Contrast-enhanced abdominal CT, axial slice 50 of 84 (counted from the lowest slice); tube voltage 140 kVp, convolution kernel STANDARD; slices 5.00 mm thick, 0.717 mm per pixel.
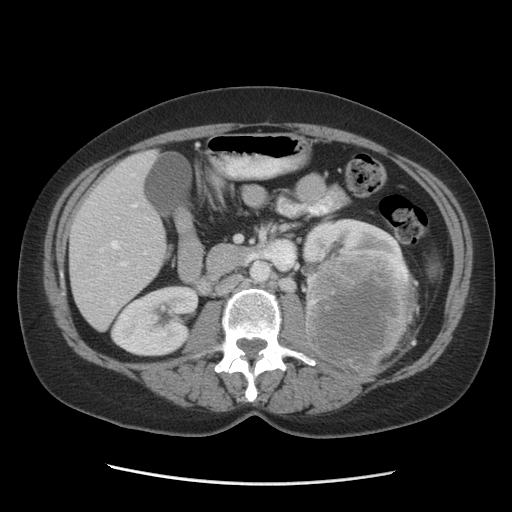
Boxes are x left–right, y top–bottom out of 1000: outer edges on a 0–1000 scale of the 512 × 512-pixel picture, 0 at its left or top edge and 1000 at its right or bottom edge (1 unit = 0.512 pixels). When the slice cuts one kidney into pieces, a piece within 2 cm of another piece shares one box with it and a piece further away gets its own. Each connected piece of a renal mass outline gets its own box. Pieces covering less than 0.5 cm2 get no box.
Two kidney boxes and one renal mass box on this slice; by box centre, from the image's left to its right: (1) Right kidney, box x 215–389, y 557–697 out of 1000 (outlined area 4,664 px, about 24.0 cm2). (2) Left kidney, box x 584–795, y 426–541 out of 1000 (outlined area 3,188 px, about 16.4 cm2). (3) Left renal mass, box x 594–820, y 488–736 out of 1000 (outlined area 11,759 px, about 60.4 cm2).